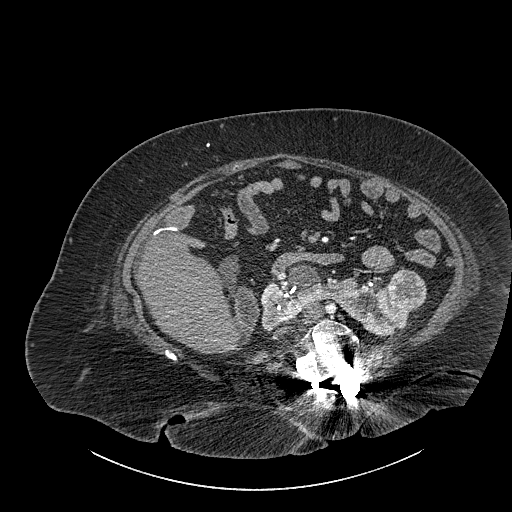
One axial slice (499 of 834, counting up from the lowest) of a contrast-enhanced abdominal CT acquired with 140 kVp, kernel I30f; each pixel is 0.977 mm and the slice is 1.00 mm thick.
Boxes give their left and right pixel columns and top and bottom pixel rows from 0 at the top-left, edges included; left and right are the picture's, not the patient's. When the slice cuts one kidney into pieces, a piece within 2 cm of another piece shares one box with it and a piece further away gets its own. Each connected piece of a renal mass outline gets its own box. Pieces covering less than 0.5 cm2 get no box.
One kidney box and one renal mass box on this slice; by box centre, from the image's left to its right: (1) Box with left 260, top 264, right 419, bottom 336: kidney crossing the body midline (outlined area 5,504 px, about 52.5 cm2). (2) Renal mass, the box with left 387, top 268, right 426, bottom 309 (outlined area 1,331 px, about 12.7 cm2).